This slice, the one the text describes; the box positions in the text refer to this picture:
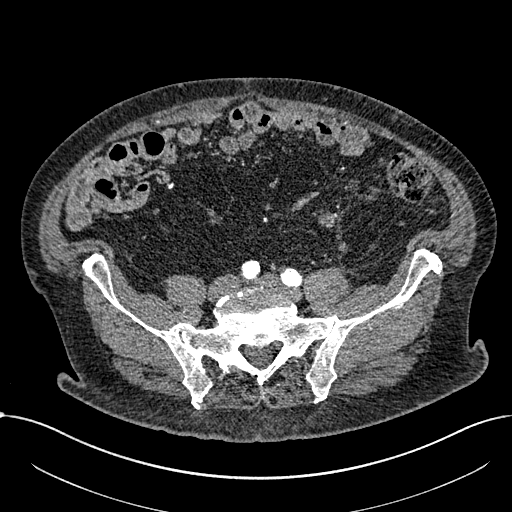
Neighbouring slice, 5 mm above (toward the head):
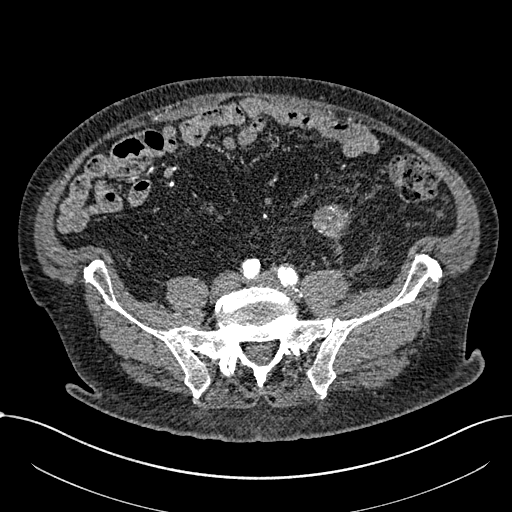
Arterial-phase contrast-enhanced abdominal CT, axial slice 150 of 1059 (counted from the lowest slice); tube voltage 100 kVp, convolution kernel I30f; slices 1.00 mm thick, 0.811 mm per pixel.
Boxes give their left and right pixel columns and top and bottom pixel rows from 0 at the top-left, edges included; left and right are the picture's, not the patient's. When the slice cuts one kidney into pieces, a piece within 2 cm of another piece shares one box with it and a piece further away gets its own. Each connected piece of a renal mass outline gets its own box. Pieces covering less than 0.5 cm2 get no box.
Box with left 318, top 212, right 336, bottom 227: renal mass (outlined area 213 px, about 1.4 cm2); no kidney is outlined on this slice, but the same outlined renal mass comes within 1 cm of the kidney on another slice. This slice is near the end of a renal mass toward the feet, so the slice 5 mm above it is shown as well; the boxes refer to this slice only.